Abdominal CT with intravenous contrast, axial plane, 130 kVp, kernel B31s. Slice 223/314 from the bottom of the scan; thickness 2.50 mm; pixel size 0.934 mm.
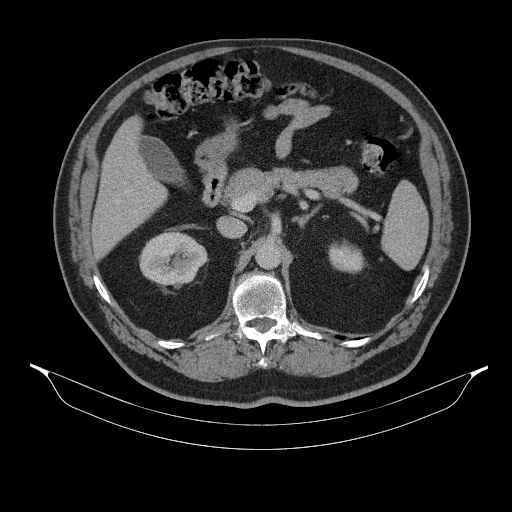
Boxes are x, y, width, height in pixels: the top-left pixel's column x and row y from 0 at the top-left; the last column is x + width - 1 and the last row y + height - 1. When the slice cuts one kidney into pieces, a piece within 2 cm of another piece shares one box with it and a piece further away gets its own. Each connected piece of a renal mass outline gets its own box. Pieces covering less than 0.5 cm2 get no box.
Boxed on this slice (two kidney boxes), listed by box centre from the image's left to its right: (1) Right kidney, box x 139, y 232, width 69, height 57 (outlined area 2,865 px, about 25.0 cm2). (2) Left kidney at x 328, y 240, width 39, height 34 (outlined area 921 px, about 8.0 cm2). This slice carries no renal mass outline.